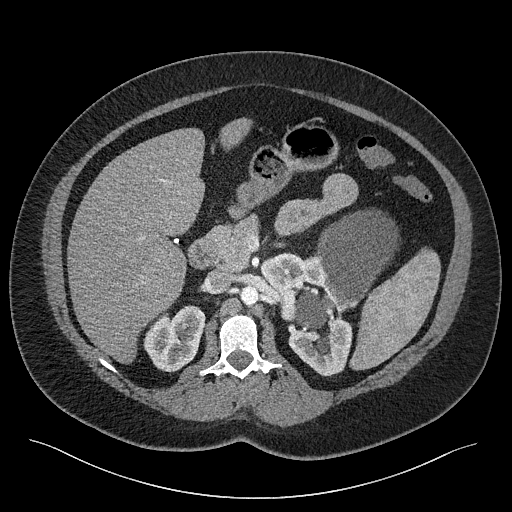
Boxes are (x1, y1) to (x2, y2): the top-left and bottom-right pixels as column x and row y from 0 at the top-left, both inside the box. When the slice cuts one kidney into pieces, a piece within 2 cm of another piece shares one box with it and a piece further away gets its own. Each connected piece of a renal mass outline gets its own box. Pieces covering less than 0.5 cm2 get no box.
Contrast-enhanced abdominal CT, axial slice 154 of 301 (counted from the lowest slice); 2.00 mm thick, 0.859 mm per pixel. Four boxes on this slice (two kidney boxes and two renal mass boxes), listed by box centre from the image's left to its right. (1) Box (143, 305) to (205, 372): right kidney (outlined area 2,948 px, about 21.8 cm2). (2) Left kidney, box (259, 252) to (352, 376) (outlined area 5,174 px, about 38.2 cm2). (3) Box (293, 287) to (331, 329): left renal mass (outlined area 1,224 px, about 9.0 cm2). (4) Box (315, 208) to (398, 310): left renal mass (outlined area 5,590 px, about 41.3 cm2).
Tube voltage 120 kVp; convolution kernel I40f.